Axial slice 277 of 470 of a contrast-enhanced abdominal CT (slice 1 is the lowest), 100 kVp, kernel I40f; 2.00 mm slice thickness and 0.824 mm pixels.
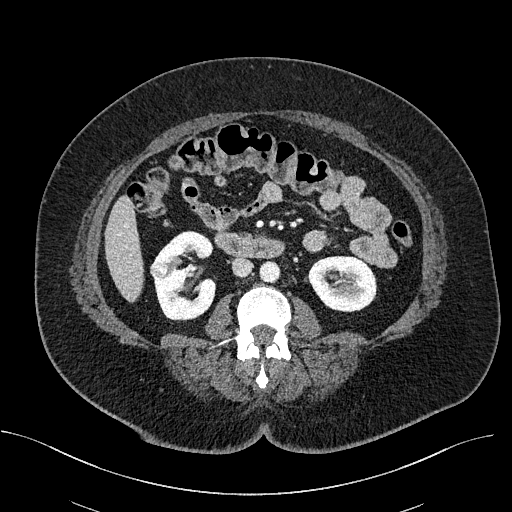
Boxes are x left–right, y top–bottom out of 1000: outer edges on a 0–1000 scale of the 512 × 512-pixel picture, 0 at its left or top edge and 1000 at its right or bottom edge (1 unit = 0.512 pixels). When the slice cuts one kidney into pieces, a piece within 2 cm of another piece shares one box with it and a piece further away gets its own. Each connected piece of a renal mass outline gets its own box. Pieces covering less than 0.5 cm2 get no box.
Three boxes on this slice (two kidney boxes and one renal mass box), listed by box centre from the image's left to its right. (1) Right renal mass at x 293–334, y 508–547 out of 1000 (outlined area 336 px, about 2.3 cm2). (2) Box x 301–424, y 449–629 out of 1000: right kidney (outlined area 3,949 px, about 26.8 cm2). (3) Left kidney, box x 600–736, y 500–611 out of 1000 (outlined area 3,086 px, about 21.0 cm2).